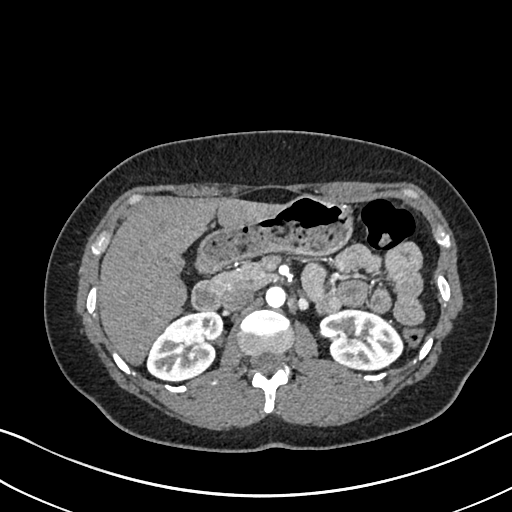
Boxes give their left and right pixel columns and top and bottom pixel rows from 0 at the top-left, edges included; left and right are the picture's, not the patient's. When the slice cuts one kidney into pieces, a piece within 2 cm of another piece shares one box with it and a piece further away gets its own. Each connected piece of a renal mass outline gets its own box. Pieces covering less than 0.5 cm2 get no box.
Slice 430/612 of a contrast-enhanced abdominal CT in the arterial phase, counting up from the lowest; pixel size 0.703 mm, slice thickness 1.00 mm. Two boxes on this slice (two kidney boxes), listed by box centre from the image's left to its right. (1) Right kidney in the box with left 146, top 311, right 224, bottom 381 (outlined area 3,931 px, about 19.4 cm2). (2) Left kidney, the box with left 318, top 307, right 403, bottom 371 (outlined area 3,888 px, about 19.2 cm2).
Tube voltage 120 kVp; convolution kernel I30f.